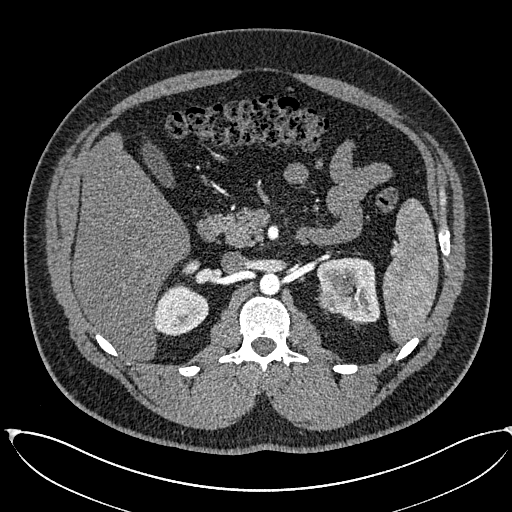
Abdominal CT with intravenous contrast, arterial phase, axial plane, 120 kVp, kernel I30f. Slice 391/673 from the bottom of the scan; thickness 1.00 mm; pixel size 0.855 mm.
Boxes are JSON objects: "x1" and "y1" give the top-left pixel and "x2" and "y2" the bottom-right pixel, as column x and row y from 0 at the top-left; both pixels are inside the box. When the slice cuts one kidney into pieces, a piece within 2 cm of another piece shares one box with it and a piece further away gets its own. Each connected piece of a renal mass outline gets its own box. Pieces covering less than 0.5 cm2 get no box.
Boxed on this slice (two kidney boxes and one renal mass box), listed by box centre from the image's left to its right: (1) Right kidney, box {"x1": 153, "y1": 260, "x2": 208, "y2": 336} (outlined area 2,356 px, about 17.2 cm2). (2) Left renal mass, box {"x1": 316, "y1": 284, "x2": 354, "y2": 314} (outlined area 902 px, about 6.6 cm2). (3) Box {"x1": 316, "y1": 257, "x2": 380, "y2": 323}: left kidney (outlined area 2,542 px, about 18.6 cm2).